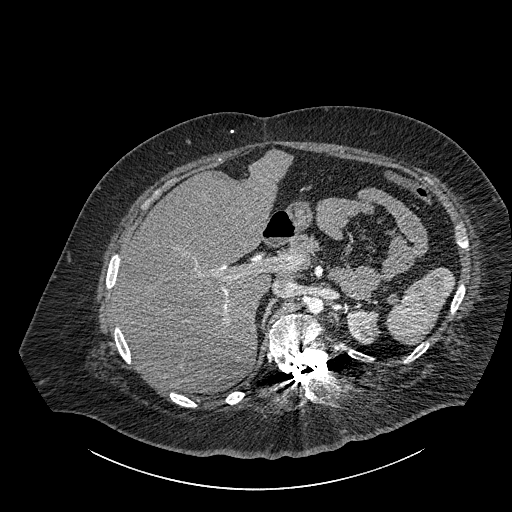
One axial slice (633 of 834, counting up from the lowest) of a contrast-enhanced abdominal CT acquired with 140 kVp, kernel I30f; each pixel is 0.977 mm and the slice is 1.00 mm thick.
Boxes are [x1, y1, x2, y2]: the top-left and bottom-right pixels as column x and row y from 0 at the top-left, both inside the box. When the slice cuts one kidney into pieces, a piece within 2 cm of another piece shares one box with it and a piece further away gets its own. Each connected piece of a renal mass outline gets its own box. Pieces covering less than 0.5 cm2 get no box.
Left part of the midline-crossing kidney at [346, 308, 380, 344] (outlined area 953 px, about 9.1 cm2). No renal mass is outlined on this slice.